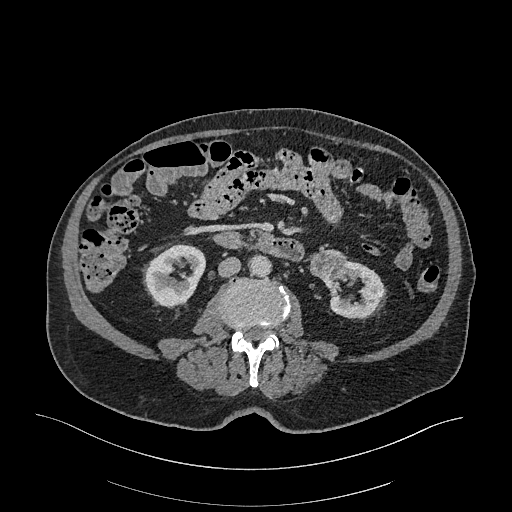
Axial slice 114 of 470 of a contrast-enhanced abdominal CT in the arterial phase (slice 1 is the lowest), 120 kVp, kernel I26f; 1.00 mm slice thickness and 0.938 mm pixels.
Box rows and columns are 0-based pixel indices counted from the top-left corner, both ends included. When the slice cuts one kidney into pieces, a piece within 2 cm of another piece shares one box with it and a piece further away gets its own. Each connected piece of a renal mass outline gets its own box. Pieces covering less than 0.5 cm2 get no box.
Boxed on this slice (two kidney boxes and one renal mass box), listed by box centre from the image's left to its right: (1) Right kidney at rows 244–307, columns 145–205 (outlined area 2,775 px, about 24.4 cm2). (2) Left renal mass, box rows 249–281, columns 309–347 (outlined area 950 px, about 8.3 cm2). (3) Box rows 260–318, columns 323–384: left kidney (outlined area 2,147 px, about 18.9 cm2).